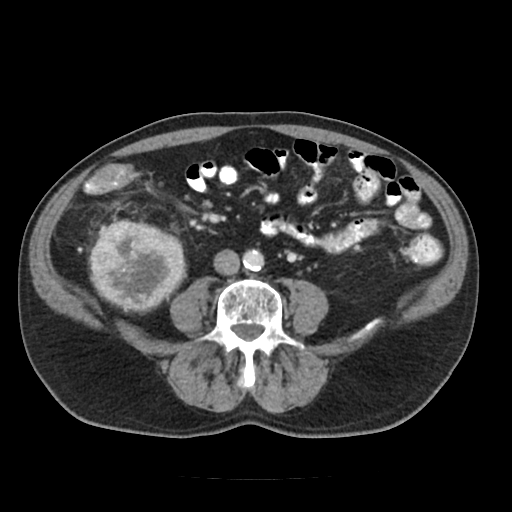
Abdominal CT with intravenous contrast, axial plane, 120 kVp, kernel FC18. Slice 46/91 from the bottom of the scan; thickness 5.00 mm; pixel size 0.766 mm.
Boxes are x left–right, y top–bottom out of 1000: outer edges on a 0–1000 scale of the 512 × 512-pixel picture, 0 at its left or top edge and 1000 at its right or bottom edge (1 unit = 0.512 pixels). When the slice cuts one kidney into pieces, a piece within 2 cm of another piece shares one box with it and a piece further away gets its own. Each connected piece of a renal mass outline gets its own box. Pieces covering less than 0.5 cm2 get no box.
Box x 170–365, y 426–611 out of 1000: right renal mass (outlined area 7,226 px, about 42.4 cm2); no kidney is outlined on this slice, but the same outlined renal mass comes within 1 cm of the kidney on another slice.